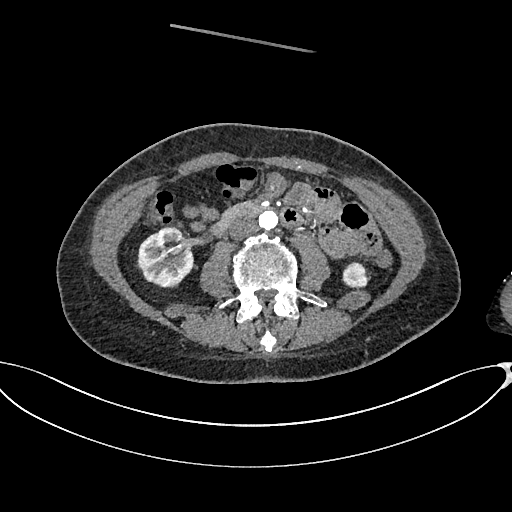
One axial slice (315 of 665, counting up from the lowest) of an arterial-phase abdominal CT acquired with 100 kVp, kernel I26f; each pixel is 0.828 mm and the slice is 1.00 mm thick.
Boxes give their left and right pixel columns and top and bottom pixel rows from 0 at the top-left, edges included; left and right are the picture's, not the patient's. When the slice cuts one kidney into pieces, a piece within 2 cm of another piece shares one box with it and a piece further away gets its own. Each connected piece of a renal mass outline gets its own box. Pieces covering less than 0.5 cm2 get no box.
Two kidney boxes on this slice; by box centre, from the image's left to its right: (1) Right kidney, the box with left 136, top 227, right 193, bottom 287 (outlined area 2,626 px, about 18.0 cm2). (2) Left kidney in the box with left 342, top 261, right 370, bottom 287 (outlined area 587 px, about 4.0 cm2). No renal mass outline on this slice.